Axial slice 236 of 383 of a contrast-enhanced abdominal CT in the arterial phase (slice 1 is the lowest), 100 kVp, kernel SOFT; 1.25 mm slice thickness and 0.898 mm pixels.
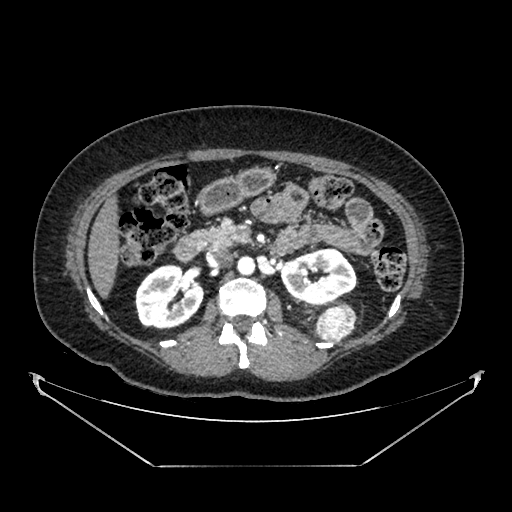
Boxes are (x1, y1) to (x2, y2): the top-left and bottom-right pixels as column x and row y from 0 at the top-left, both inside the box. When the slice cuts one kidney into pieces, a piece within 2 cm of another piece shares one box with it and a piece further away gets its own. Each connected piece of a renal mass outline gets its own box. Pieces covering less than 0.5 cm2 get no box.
Boxed on this slice (two kidney boxes and one renal mass box), listed by box centre from the image's left to its right: (1) Box (134, 264) to (205, 329): right kidney (outlined area 3,465 px, about 28.0 cm2). (2) Left kidney, box (280, 248) to (356, 305) (outlined area 3,213 px, about 25.9 cm2). (3) Box (315, 304) to (355, 342): left renal mass (outlined area 1,228 px, about 9.9 cm2).